Axial slice 114 of 153 of a contrast-enhanced abdominal CT (slice 1 is the lowest), 120 kVp, kernel I41f; 3.00 mm slice thickness and 0.893 mm pixels.
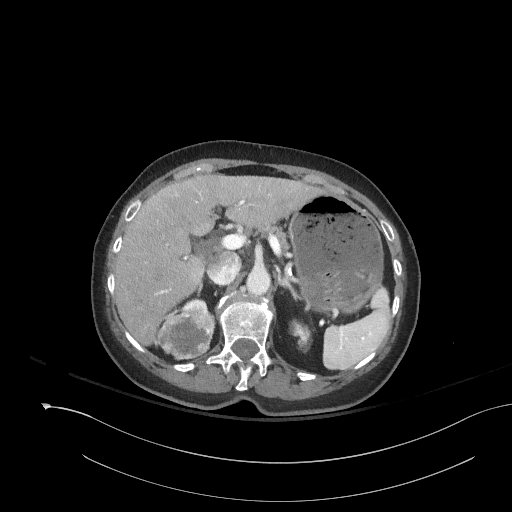
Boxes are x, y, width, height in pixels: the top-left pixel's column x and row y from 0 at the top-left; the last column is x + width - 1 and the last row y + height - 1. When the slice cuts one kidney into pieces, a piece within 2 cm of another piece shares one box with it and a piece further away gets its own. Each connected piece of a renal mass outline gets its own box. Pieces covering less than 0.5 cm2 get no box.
Two kidney boxes and one renal mass box on this slice; by box centre, from the image's left to its right: (1) Right renal mass at x 155, y 310, width 60, height 50 (outlined area 2,204 px, about 17.6 cm2). (2) Box x 182, y 299, width 25, height 12: right kidney (outlined area 206 px, about 1.6 cm2). (3) Left kidney, box x 289, y 319, width 26, height 34 (outlined area 521 px, about 4.2 cm2).